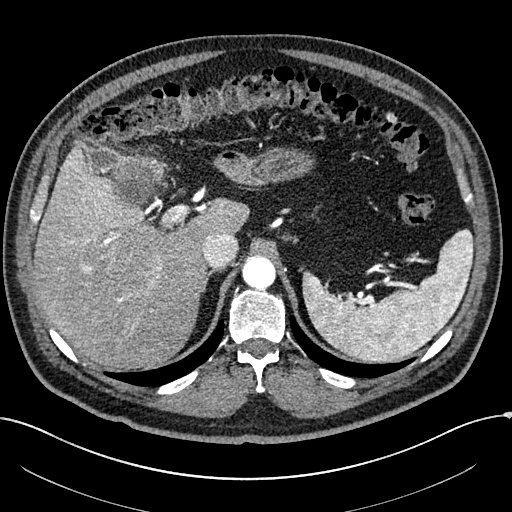
Abdominal CT with intravenous contrast, arterial phase, axial plane, 100 kVp, kernel I30f. Slice 195/304 from the bottom of the scan; thickness 2.00 mm; pixel size 0.809 mm.
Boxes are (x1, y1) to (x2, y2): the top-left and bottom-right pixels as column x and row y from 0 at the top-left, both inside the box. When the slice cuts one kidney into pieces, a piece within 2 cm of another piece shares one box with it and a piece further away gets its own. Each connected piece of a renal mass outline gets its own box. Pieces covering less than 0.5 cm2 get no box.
Box (113, 147) to (161, 205): right renal mass (outlined area 2,356 px, about 15.4 cm2); this slice has no kidney outline, though on another slice the same outlined renal mass lies within 1 cm of the kidney.